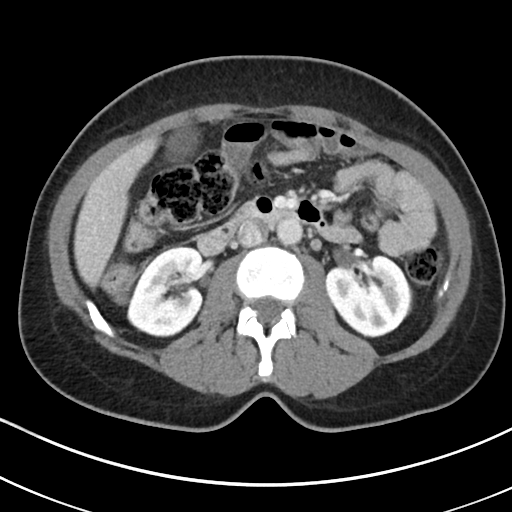
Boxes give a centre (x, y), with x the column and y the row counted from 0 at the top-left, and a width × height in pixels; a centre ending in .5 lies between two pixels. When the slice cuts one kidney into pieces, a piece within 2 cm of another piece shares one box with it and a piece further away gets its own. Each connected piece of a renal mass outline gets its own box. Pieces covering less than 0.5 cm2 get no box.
This is axial slice 110 of 178 (slice 1 is the lowest) of an abdominal CT with contrast; each pixel is 0.650 mm and the slice is 5.00 mm thick. Two boxes on this slice (two kidney boxes), listed by box centre from the image's left to its right. (1) Right kidney in a box with centre (165.5, 291.5), 78 × 92 pixels (outlined area 5,330 px, about 22.5 cm2). (2) Box centre (368.5, 295.5), 90 × 84 pixels: left kidney (outlined area 5,449 px, about 23.0 cm2). No renal mass is outlined on this slice.
Tube voltage 100 kVp; convolution kernel I30f.